One axial slice (347 of 553, counting up from the lowest) of an arterial-phase abdominal CT acquired with 120 kVp, kernel B20f; each pixel is 0.773 mm and the slice is 1.00 mm thick.
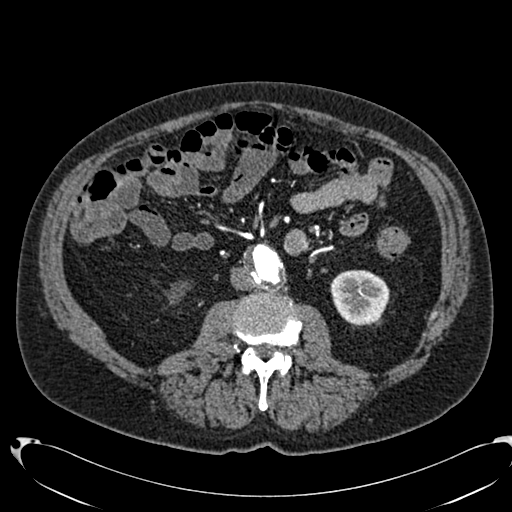
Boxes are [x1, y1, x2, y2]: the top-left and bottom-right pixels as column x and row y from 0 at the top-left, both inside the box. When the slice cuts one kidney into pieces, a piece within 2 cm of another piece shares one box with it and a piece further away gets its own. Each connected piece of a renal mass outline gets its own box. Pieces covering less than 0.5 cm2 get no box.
Two kidney boxes on this slice; by box centre, from the image's left to its right: (1) Box [168, 283, 181, 301]: right kidney (outlined area 145 px, about 0.9 cm2). (2) Left kidney, box [330, 270, 389, 325] (outlined area 2,600 px, about 15.6 cm2). No renal mass outline on this slice.